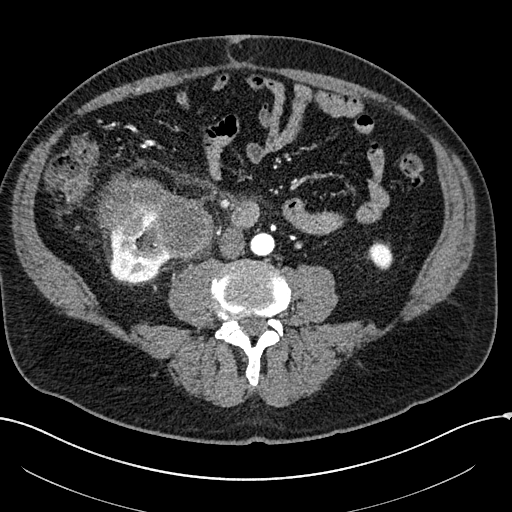
Arterial-phase contrast-enhanced abdominal CT, axial slice 45 of 304 (counted from the lowest slice); tube voltage 100 kVp, convolution kernel I30f; slices 2.00 mm thick, 0.809 mm per pixel.
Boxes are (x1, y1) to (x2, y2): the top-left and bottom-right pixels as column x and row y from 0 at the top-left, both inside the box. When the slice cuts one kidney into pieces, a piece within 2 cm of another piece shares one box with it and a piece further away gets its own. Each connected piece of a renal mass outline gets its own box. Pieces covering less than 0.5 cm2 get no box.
Three boxes on this slice (two kidney boxes and one renal mass box), listed by box centre from the image's left to its right. (1) Right kidney, box (104, 212) to (170, 283) (outlined area 2,745 px, about 17.9 cm2). (2) Box (96, 171) to (213, 259): right renal mass (outlined area 6,125 px, about 40.0 cm2). (3) Left kidney, box (368, 241) to (393, 267) (outlined area 532 px, about 3.5 cm2).